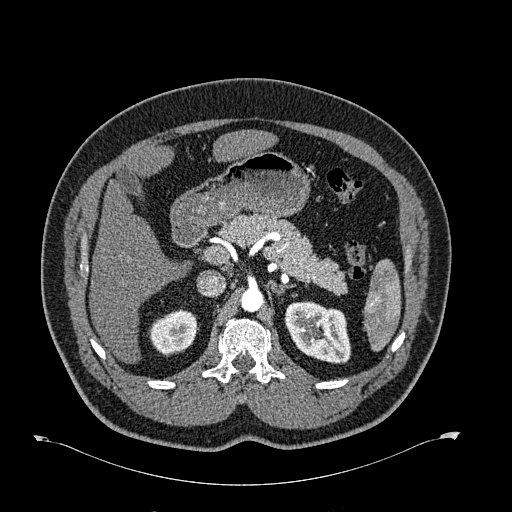
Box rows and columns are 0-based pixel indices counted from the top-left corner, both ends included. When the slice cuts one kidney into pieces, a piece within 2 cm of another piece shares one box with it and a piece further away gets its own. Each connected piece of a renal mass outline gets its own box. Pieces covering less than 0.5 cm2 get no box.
Slice 441/723 of a contrast-enhanced abdominal CT in the arterial phase, counting up from the lowest; pixel size 0.895 mm, slice thickness 1.00 mm. Two kidney boxes on this slice; by box centre, from the image's left to its right: (1) Box rows 308–356, columns 148–197: right kidney (outlined area 1,710 px, about 13.7 cm2). (2) Box rows 301–363, columns 285–350: left kidney (outlined area 3,153 px, about 25.2 cm2). No renal mass is outlined on this slice.
Tube voltage 120 kVp; convolution kernel B30f.